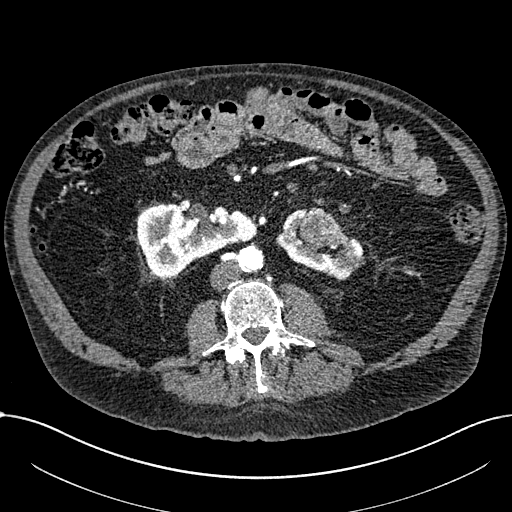
One axial slice (325 of 1059, counting up from the lowest) of an arterial-phase abdominal CT acquired with 100 kVp, kernel I30f; each pixel is 0.811 mm and the slice is 1.00 mm thick.
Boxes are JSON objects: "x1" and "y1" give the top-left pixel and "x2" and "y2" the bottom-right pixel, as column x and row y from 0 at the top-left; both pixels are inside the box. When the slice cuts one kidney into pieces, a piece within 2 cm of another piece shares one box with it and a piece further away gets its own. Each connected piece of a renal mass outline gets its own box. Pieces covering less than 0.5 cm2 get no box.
Boxed on this slice (two kidney boxes and one renal mass box), listed by box centre from the image's left to its right: (1) Box {"x1": 137, "y1": 203, "x2": 256, "y2": 278}: right part of the midline-crossing kidney (outlined area 5,894 px, about 38.7 cm2). (2) Renal mass at {"x1": 297, "y1": 207, "x2": 344, "y2": 248} (outlined area 1,358 px, about 8.9 cm2). (3) Box {"x1": 276, "y1": 209, "x2": 365, "y2": 280}: left part of the midline-crossing kidney (outlined area 2,687 px, about 17.7 cm2).